Arterial-phase contrast-enhanced abdominal CT, axial slice 404 of 705 (counted from the lowest slice); tube voltage 120 kVp, convolution kernel I30f; slices 1.00 mm thick, 0.703 mm per pixel.
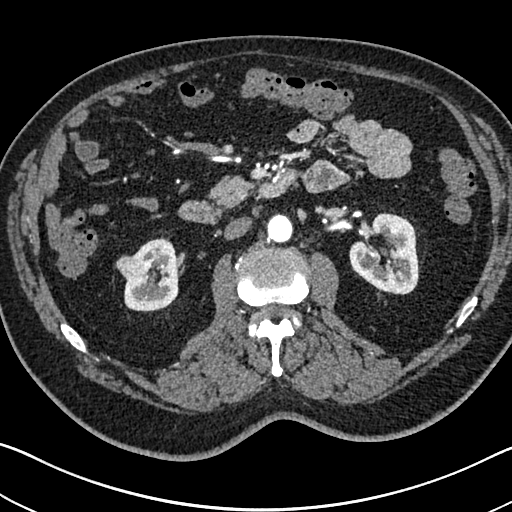
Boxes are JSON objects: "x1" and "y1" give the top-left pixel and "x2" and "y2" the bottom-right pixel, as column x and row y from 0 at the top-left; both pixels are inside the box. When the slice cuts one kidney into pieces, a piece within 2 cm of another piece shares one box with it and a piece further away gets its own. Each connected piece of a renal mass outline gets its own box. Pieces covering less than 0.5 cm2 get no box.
Three boxes on this slice (two kidney boxes and one renal mass box), listed by box centre from the image's left to its right. (1) Box {"x1": 115, "y1": 255, "x2": 152, "y2": 289}: right renal mass (outlined area 827 px, about 4.1 cm2). (2) Box {"x1": 124, "y1": 238, "x2": 178, "y2": 312}: right kidney (outlined area 2,658 px, about 13.1 cm2). (3) Box {"x1": 349, "y1": 212, "x2": 419, "y2": 294}: left kidney (outlined area 4,182 px, about 20.7 cm2).